Axial slice 347 of 602 of a contrast-enhanced abdominal CT in the arterial phase (slice 1 is the lowest), 120 kVp, kernel I30f; 1.00 mm slice thickness and 0.799 mm pixels.
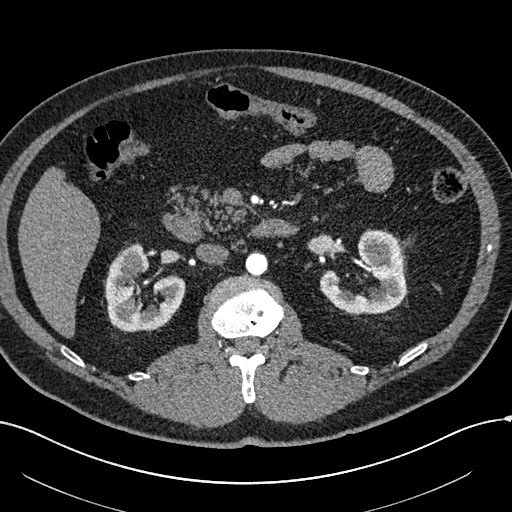
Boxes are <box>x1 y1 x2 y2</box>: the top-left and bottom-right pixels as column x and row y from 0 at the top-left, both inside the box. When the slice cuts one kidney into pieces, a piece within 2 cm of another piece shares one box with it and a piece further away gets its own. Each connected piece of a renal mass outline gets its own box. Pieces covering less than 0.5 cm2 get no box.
Three boxes on this slice (two kidney boxes and one renal mass box), listed by box centre from the image's left to its right. (1) At <box>121 252 141 276</box>: right renal mass (outlined area 425 px, about 2.7 cm2). (2) Right kidney: <box>105 243 185 332</box> (outlined area 4,234 px, about 27.0 cm2). (3) At <box>320 229 406 315</box>: left kidney (outlined area 4,421 px, about 28.2 cm2).